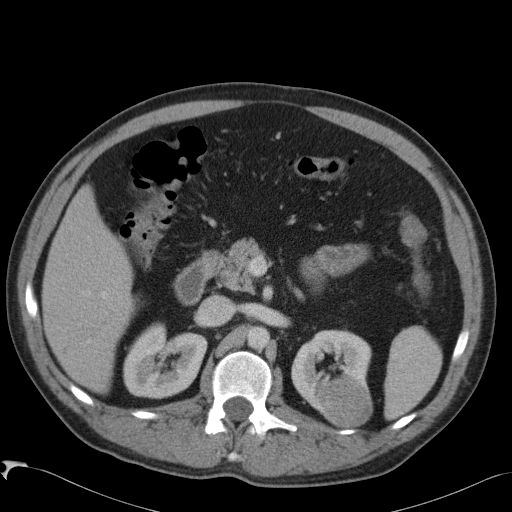
Arterial-phase contrast-enhanced abdominal CT, axial slice 61 of 88 (counted from the lowest slice); tube voltage 120 kVp, convolution kernel B41f; slices 5.00 mm thick, 0.723 mm per pixel.
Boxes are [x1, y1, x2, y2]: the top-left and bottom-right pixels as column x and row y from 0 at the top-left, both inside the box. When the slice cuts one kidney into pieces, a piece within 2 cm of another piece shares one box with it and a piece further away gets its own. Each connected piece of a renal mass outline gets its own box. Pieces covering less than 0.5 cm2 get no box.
Two kidney boxes and one renal mass box on this slice; by box centre, from the image's left to its right: (1) Right kidney, box [123, 321, 207, 398] (outlined area 4,709 px, about 24.6 cm2). (2) Left kidney, box [291, 329, 371, 413] (outlined area 3,458 px, about 18.1 cm2). (3) Left renal mass at [317, 371, 372, 427] (outlined area 2,514 px, about 13.1 cm2).